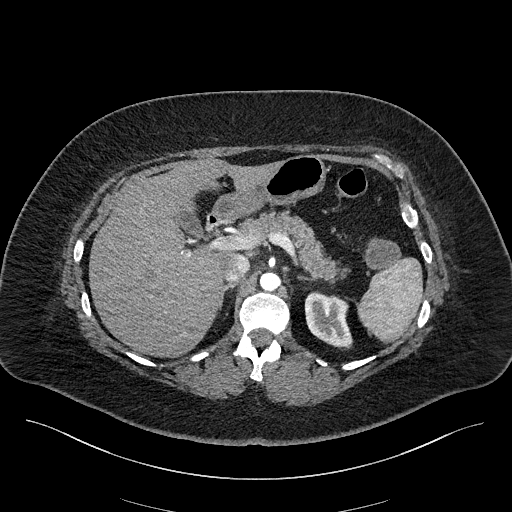
Arterial-phase contrast-enhanced abdominal CT, axial slice 151 of 270 (counted from the lowest slice); tube voltage 100 kVp, convolution kernel I40f; slices 2.00 mm thick, 0.855 mm per pixel.
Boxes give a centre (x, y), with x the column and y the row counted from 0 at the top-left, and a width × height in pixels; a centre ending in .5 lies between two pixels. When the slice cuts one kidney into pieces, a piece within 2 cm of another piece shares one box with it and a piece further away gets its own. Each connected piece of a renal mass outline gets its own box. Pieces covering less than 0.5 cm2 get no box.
Left kidney, box centre (328, 319.5), 49 × 58 pixels (outlined area 2,027 px, about 14.8 cm2). This slice carries no renal mass outline.